Axial slice 63 of 146 of a contrast-enhanced abdominal CT (slice 1 is the lowest), 120 kVp, kernel B31f; 5.00 mm slice thickness and 0.742 mm pixels.
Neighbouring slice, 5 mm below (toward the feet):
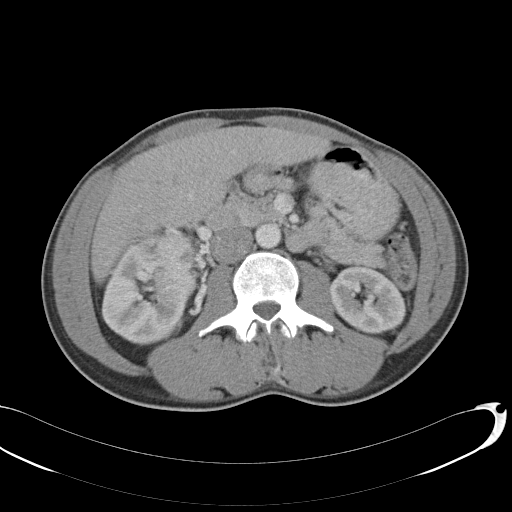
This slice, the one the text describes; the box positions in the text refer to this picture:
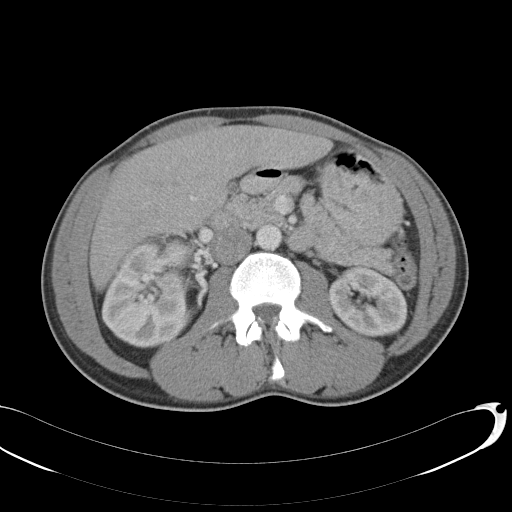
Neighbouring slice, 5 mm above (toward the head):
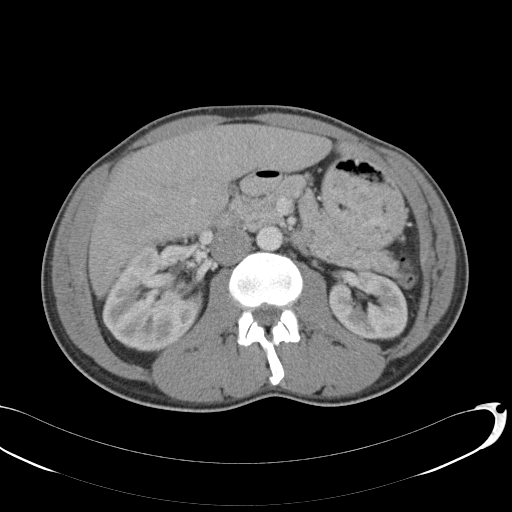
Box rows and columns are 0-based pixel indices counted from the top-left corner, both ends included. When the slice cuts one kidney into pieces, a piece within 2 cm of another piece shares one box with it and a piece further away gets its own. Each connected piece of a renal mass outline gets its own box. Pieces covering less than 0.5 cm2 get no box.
Three boxes on this slice (two kidney boxes and one renal mass box), listed by box centre from the image's left to its right. (1) Right kidney, box rows 243–348, columns 101–193 (outlined area 6,960 px, about 38.3 cm2). (2) Right renal mass, box rows 236–267, columns 160–195 (outlined area 904 px, about 5.0 cm2). (3) Left kidney at rows 266–338, columns 329–407 (outlined area 4,303 px, about 23.7 cm2). This slice is near the end of the right renal mass toward the head, so the slices 5 mm below and 5 mm above it are shown as well; the boxes refer to this slice only.